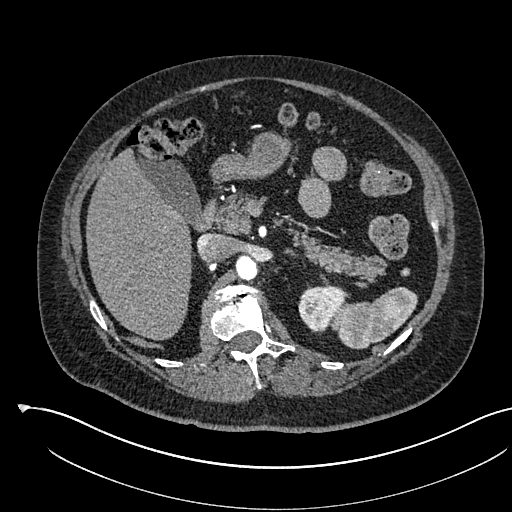
Axial slice 375 of 541 of a contrast-enhanced abdominal CT in the arterial phase (slice 1 is the lowest), 120 kVp, kernel I30f; 1.00 mm slice thickness and 0.834 mm pixels.
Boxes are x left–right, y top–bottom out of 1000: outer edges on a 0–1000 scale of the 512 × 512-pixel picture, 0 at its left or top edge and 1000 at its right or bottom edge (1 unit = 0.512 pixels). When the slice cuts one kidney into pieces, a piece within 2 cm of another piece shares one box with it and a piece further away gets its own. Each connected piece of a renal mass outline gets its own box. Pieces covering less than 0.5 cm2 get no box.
Box x 582–678, y 555–652 out of 1000: left kidney (outlined area 1,599 px, about 11.1 cm2). No renal mass outline on this slice.